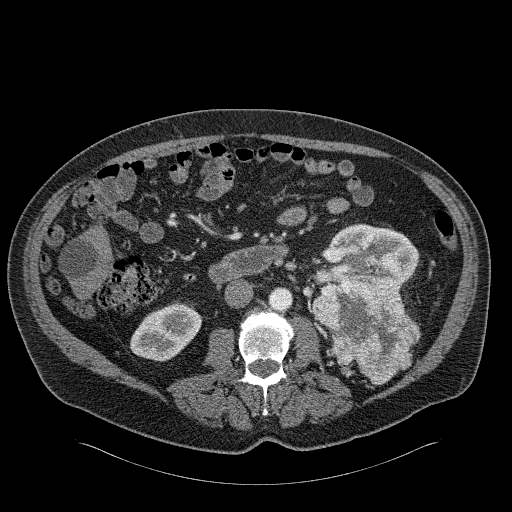
One axial slice (104 of 326, counting up from the lowest) of an arterial-phase abdominal CT acquired with 120 kVp, kernel B31f; each pixel is 0.963 mm and the slice is 2.00 mm thick.
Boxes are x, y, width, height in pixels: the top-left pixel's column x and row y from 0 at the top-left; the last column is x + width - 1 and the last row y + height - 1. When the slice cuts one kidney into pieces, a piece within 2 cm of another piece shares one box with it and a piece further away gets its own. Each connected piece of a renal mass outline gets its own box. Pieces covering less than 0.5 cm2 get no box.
Two kidney boxes and two renal mass boxes on this slice; by box centre, from the image's left to its right: (1) Box x 130, y 301, width 72, height 61: right kidney (outlined area 2,944 px, about 27.3 cm2). (2) Left renal mass at x 312, y 275, width 110, height 111 (outlined area 8,013 px, about 74.3 cm2). (3) Left kidney at x 315, y 223, width 105, height 75 (outlined area 4,416 px, about 40.9 cm2). (4) Left renal mass at x 366, y 255, width 11, height 13 (outlined area 111 px, about 1.0 cm2).